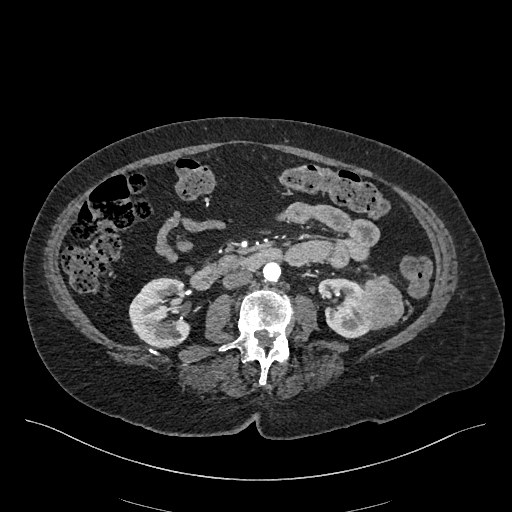
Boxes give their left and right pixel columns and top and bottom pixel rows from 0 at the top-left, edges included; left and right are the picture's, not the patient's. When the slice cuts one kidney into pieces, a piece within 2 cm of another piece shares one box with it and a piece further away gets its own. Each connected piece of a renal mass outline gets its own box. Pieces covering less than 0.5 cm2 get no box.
Arterial-phase contrast-enhanced abdominal CT, axial slice 219 of 548 (counted from the lowest slice); 1.00 mm thick, 0.852 mm per pixel. Boxed on this slice (two kidney boxes and one renal mass box), listed by box centre from the image's left to its right: (1) Right kidney in the box with left 129, top 277, right 190, bottom 348 (outlined area 3,412 px, about 24.7 cm2). (2) Left kidney, the box with left 317, top 277, right 369, bottom 338 (outlined area 2,098 px, about 15.2 cm2). (3) Left renal mass, the box with left 357, top 274, right 403, bottom 329 (outlined area 1,945 px, about 14.1 cm2).
Acquired at 120 kVp and reconstructed with the I26f kernel.